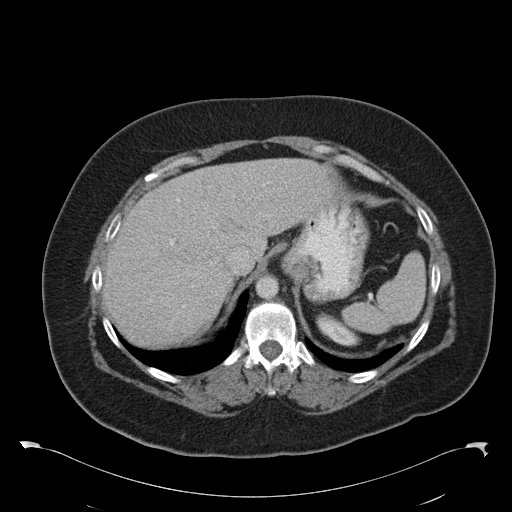
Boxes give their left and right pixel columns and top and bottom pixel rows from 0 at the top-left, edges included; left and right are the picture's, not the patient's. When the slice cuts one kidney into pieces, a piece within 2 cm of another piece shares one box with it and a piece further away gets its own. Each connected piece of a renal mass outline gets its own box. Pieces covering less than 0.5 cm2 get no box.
This is axial slice 77 of 97 (slice 1 is the lowest) of an arterial-phase abdominal CT with contrast; each pixel is 0.824 mm and the slice is 5.00 mm thick. Box with left 316, top 312, right 360, bottom 346: left kidney (outlined area 869 px, about 5.9 cm2). No renal mass outline on this slice.
Scan settings: 120 kVp, B30f reconstruction kernel.